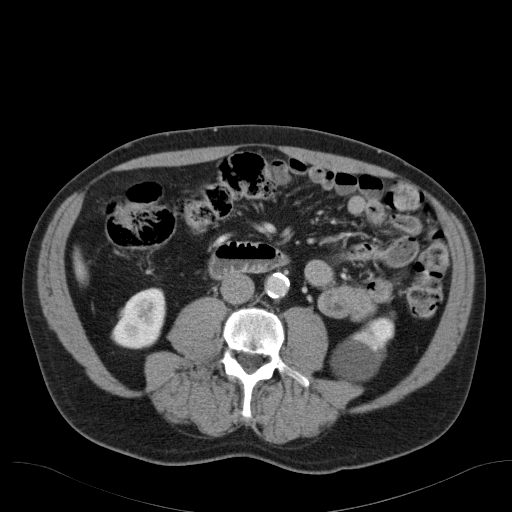
Arterial-phase contrast-enhanced abdominal CT, axial slice 58 of 98 (counted from the lowest slice); tube voltage 120 kVp, convolution kernel B31f; slices 5.00 mm thick, 0.764 mm per pixel.
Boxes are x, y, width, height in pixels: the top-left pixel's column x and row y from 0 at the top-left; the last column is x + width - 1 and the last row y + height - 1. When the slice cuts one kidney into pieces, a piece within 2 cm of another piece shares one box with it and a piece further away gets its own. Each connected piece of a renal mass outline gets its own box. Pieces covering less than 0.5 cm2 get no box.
Two boxes on this slice (two kidney boxes), listed by box centre from the image's left to its right. (1) Right kidney at x 111, y 287, width 56, height 63 (outlined area 2,491 px, about 14.5 cm2). (2) Box x 331, y 312, width 64, height 71: left kidney (outlined area 2,648 px, about 15.4 cm2). No renal mass outline on this slice.